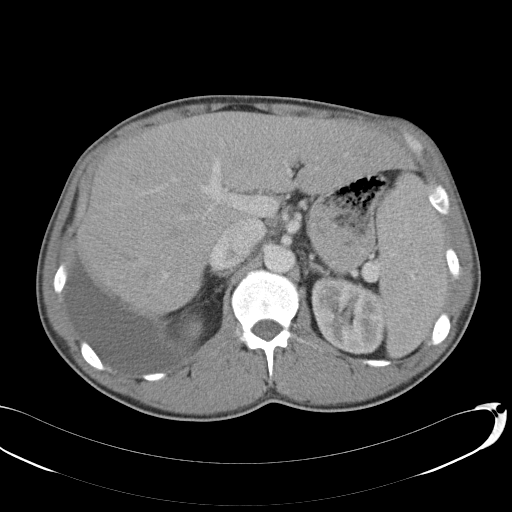
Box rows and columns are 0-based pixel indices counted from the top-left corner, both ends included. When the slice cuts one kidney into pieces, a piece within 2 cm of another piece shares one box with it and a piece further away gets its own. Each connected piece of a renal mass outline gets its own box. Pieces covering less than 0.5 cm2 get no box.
Contrast-enhanced abdominal CT, axial slice 75 of 146 (counted from the lowest slice); 5.00 mm thick, 0.742 mm per pixel. Two kidney boxes on this slice; by box centre, from the image's left to its right: (1) Right kidney, box rows 309–342, columns 176–205 (outlined area 705 px, about 3.9 cm2). (2) Box rows 276–354, columns 311–384: left kidney (outlined area 4,571 px, about 25.2 cm2). No renal mass is outlined on this slice.
Tube voltage 120 kVp; convolution kernel B31f.